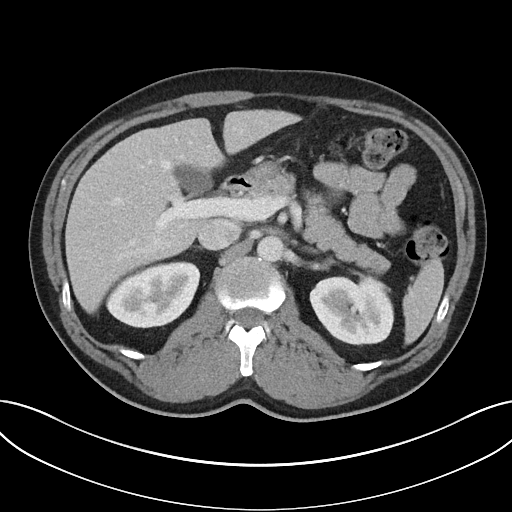
Abdominal CT with intravenous contrast, arterial phase, axial plane, 100 kVp, kernel I40f. Slice 22/32 from the bottom of the scan; thickness 5.00 mm; pixel size 0.779 mm.
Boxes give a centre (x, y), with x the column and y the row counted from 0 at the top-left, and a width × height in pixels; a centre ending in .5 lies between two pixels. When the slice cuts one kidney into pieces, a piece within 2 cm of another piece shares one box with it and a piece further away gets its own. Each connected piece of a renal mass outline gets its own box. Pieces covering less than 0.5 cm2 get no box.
Boxed on this slice (two kidney boxes), listed by box centre from the image's left to its right: (1) Right kidney, box centre (152.5, 294.5), 96 × 68 pixels (outlined area 4,633 px, about 28.1 cm2). (2) Box centre (351.5, 309), 86 × 73 pixels: left kidney (outlined area 4,741 px, about 28.8 cm2). No renal mass outline on this slice.